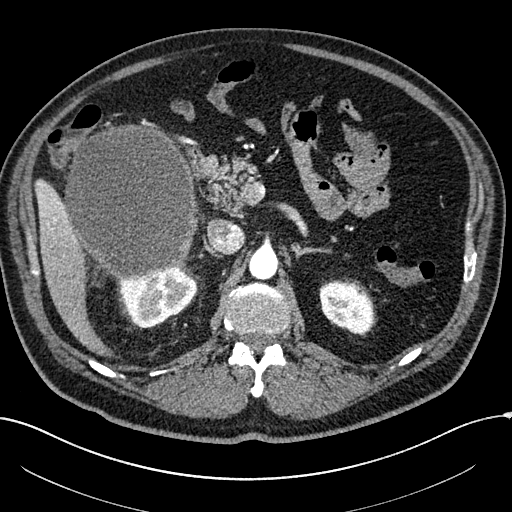
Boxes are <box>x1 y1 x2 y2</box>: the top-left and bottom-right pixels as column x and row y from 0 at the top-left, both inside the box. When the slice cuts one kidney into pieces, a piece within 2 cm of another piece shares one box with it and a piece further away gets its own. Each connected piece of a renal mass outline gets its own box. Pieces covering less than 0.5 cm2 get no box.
Arterial-phase contrast-enhanced abdominal CT, axial slice 151 of 304 (counted from the lowest slice); 2.00 mm thick, 0.809 mm per pixel. Three boxes on this slice (two kidney boxes and one renal mass box), listed by box centre from the image's left to its right. (1) Right renal mass at <box>62 124 197 279</box> (outlined area 16,481 px, about 107.8 cm2). (2) Right kidney at <box>118 266 197 328</box> (outlined area 3,320 px, about 21.7 cm2). (3) Left kidney: <box>319 281 374 334</box> (outlined area 2,267 px, about 14.8 cm2).
Acquired at 100 kVp and reconstructed with the I30f kernel.